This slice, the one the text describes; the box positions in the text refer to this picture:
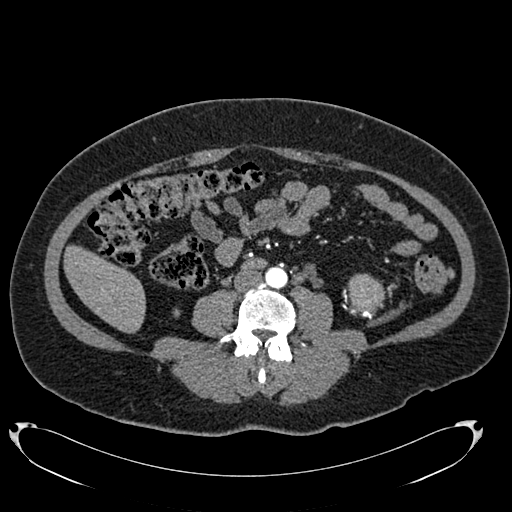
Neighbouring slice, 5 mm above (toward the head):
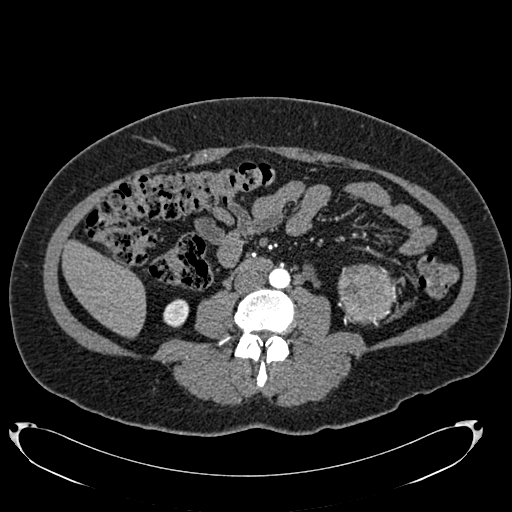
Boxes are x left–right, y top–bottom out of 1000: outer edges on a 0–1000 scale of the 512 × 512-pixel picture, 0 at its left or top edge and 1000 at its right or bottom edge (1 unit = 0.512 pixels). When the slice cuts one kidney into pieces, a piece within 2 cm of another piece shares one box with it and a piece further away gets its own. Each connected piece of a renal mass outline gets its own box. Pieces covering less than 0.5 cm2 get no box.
Slice 312/634 of a contrast-enhanced abdominal CT in the arterial phase, counting up from the lowest; pixel size 0.838 mm, slice thickness 1.00 mm. Box x 676–754, y 533–611 out of 1000: left renal mass (outlined area 1,170 px, about 8.2 cm2); here it is more than 1 cm from any kidney outline, though on another slice the same outlined renal mass lies within 1 cm of the kidney. This slice is near the end of the left renal mass toward the feet, so the slice 5 mm above it is shown as well; the boxes refer to this slice only.
Scan settings: 120 kVp, B20f reconstruction kernel.